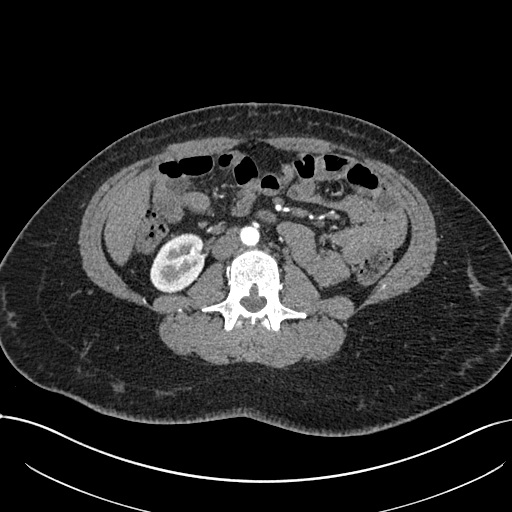
Abdominal CT with intravenous contrast, arterial phase, axial plane, 120 kVp, kernel I30f. Slice 341/738 from the bottom of the scan; thickness 1.00 mm; pixel size 0.789 mm.
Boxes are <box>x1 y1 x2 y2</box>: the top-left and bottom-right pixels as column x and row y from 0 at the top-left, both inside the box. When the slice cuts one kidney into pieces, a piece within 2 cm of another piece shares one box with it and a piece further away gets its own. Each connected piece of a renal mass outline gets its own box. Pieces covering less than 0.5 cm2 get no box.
At <box>150 233 204 292</box>: right kidney (outlined area 2,466 px, about 15.4 cm2). No renal mass is outlined on this slice.